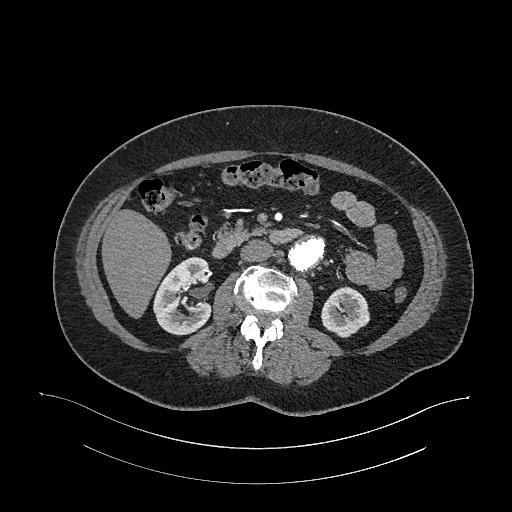
Abdominal CT with intravenous contrast, arterial phase, axial plane, 120 kVp, kernel I26f. Slice 617/987 from the bottom of the scan; thickness 1.00 mm; pixel size 0.977 mm.
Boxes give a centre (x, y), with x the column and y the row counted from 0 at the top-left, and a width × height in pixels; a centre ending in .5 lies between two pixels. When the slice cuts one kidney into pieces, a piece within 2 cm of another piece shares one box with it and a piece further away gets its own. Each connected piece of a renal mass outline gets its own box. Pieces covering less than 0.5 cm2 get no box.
Boxed on this slice (two kidney boxes), listed by box centre from the image's left to its right: (1) Right kidney in a box with centre (182.5, 295.5), 60 × 80 pixels (outlined area 3,436 px, about 32.8 cm2). (2) Left kidney, box centre (345, 311.5), 49 × 52 pixels (outlined area 1,861 px, about 17.7 cm2). No renal mass is outlined on this slice.